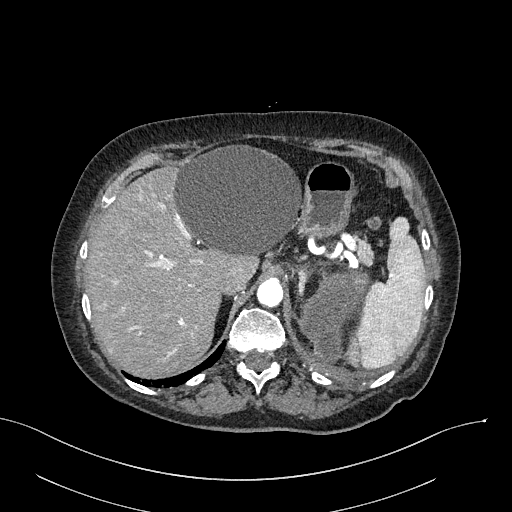
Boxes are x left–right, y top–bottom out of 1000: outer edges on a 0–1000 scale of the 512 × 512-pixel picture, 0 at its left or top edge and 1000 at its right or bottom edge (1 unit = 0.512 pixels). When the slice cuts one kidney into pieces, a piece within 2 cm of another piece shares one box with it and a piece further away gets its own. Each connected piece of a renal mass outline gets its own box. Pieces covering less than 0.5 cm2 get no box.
Arterial-phase contrast-enhanced abdominal CT, axial slice 212 of 316 (counted from the lowest slice); 2.00 mm thick, 0.840 mm per pixel. Box x 584–725, y 525–711 out of 1000: left renal mass (outlined area 4,023 px, about 28.4 cm2); no kidney is outlined on this slice, but the same outlined renal mass comes within 1 cm of the kidney on another slice.
Tube voltage 100 kVp; convolution kernel I40f.